One axial slice (395 of 719, counting up from the lowest) of an arterial-phase abdominal CT acquired with 120 kVp, kernel B20f; each pixel is 0.766 mm and the slice is 1.00 mm thick.
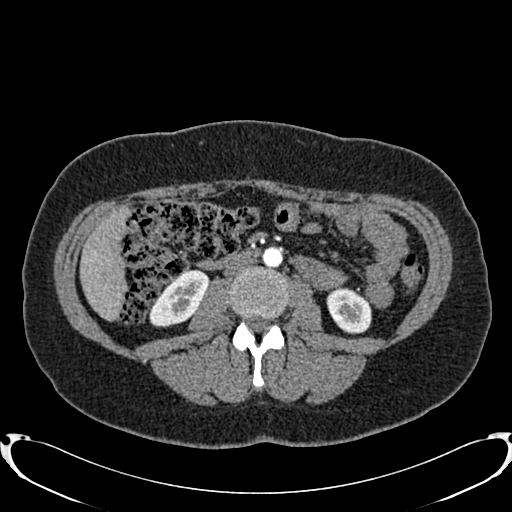
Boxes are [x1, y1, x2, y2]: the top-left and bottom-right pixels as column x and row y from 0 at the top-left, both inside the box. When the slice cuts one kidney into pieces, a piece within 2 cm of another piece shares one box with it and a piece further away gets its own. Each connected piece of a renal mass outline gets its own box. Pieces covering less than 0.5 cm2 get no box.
Two kidney boxes on this slice; by box centre, from the image's left to its right: (1) Box [149, 269, 208, 327]: right kidney (outlined area 2,200 px, about 12.9 cm2). (2) Left kidney at [326, 287, 371, 333] (outlined area 1,633 px, about 9.6 cm2). No renal mass is outlined on this slice.